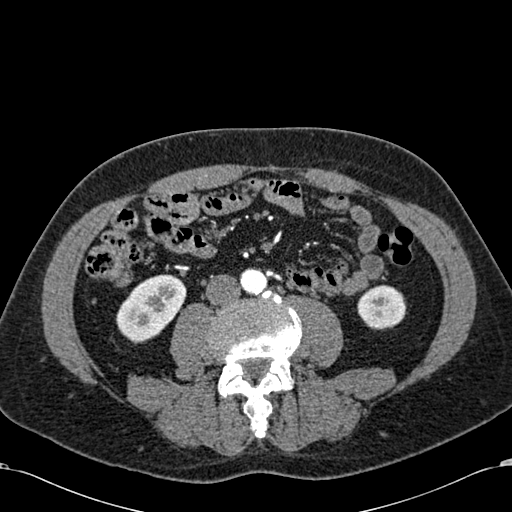
Arterial-phase contrast-enhanced abdominal CT, axial slice 228 of 581 (counted from the lowest slice); tube voltage 120 kVp, convolution kernel B30f; slices 1.00 mm thick, 0.713 mm per pixel.
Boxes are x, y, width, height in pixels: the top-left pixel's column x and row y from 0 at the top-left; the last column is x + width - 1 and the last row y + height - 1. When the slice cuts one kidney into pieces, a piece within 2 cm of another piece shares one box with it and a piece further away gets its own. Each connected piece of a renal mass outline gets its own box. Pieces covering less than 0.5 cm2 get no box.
Two boxes on this slice (two kidney boxes), listed by box centre from the image's left to its right. (1) Right kidney, box x 116, y 274, width 71, height 71 (outlined area 3,301 px, about 16.8 cm2). (2) Box x 357, y 285, width 50, height 45: left kidney (outlined area 1,742 px, about 8.9 cm2). No renal mass is outlined on this slice.